Axial slice 39 of 98 of a contrast-enhanced abdominal CT (slice 1 is the lowest), 130 kVp, kernel B30s; 5.00 mm slice thickness and 0.840 mm pixels.
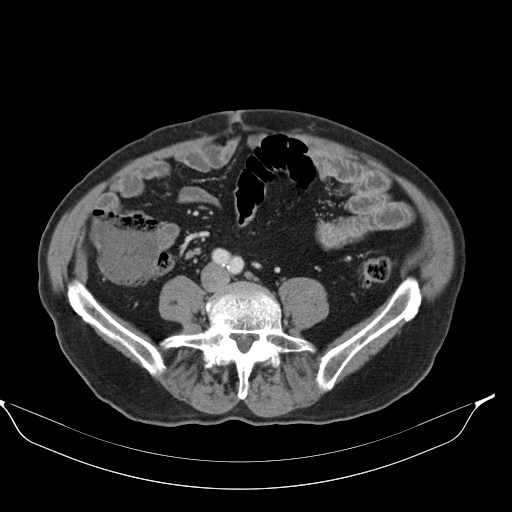
This slice carries no outline: it lies beyond the outlined kidneys and beyond every outlined renal mass. Other organs are not outlined in this scan.